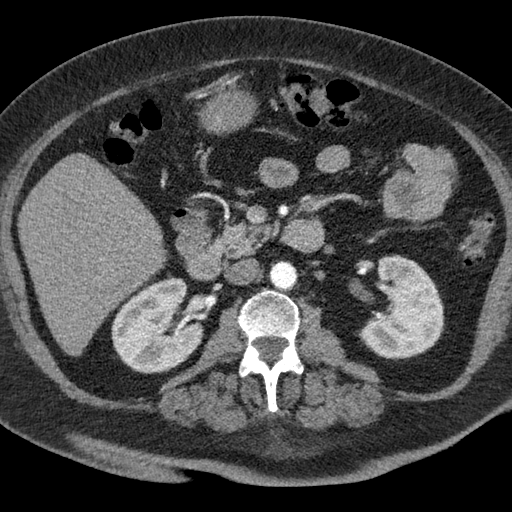
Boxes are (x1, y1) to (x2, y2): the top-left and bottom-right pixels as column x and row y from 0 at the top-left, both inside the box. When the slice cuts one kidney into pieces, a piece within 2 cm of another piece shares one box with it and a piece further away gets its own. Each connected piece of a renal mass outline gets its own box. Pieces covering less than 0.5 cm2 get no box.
Slice 34/76 of a contrast-enhanced abdominal CT, counting up from the lowest; pixel size 0.684 mm, slice thickness 3.00 mm. Boxed on this slice (two kidney boxes), listed by box centre from the image's left to its right: (1) Right kidney, box (111, 275) to (203, 373) (outlined area 6,570 px, about 30.7 cm2). (2) Left kidney from (357, 254) to (444, 359) (outlined area 6,233 px, about 29.1 cm2). This slice carries no renal mass outline.
Scan settings: 120 kVp, B reconstruction kernel.